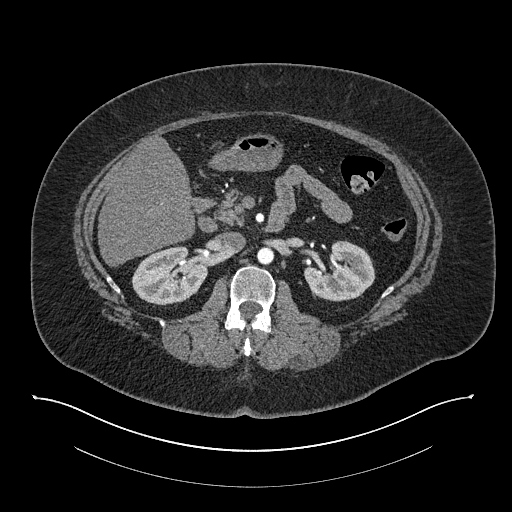
Arterial-phase contrast-enhanced abdominal CT, axial slice 477 of 673 (counted from the lowest slice); tube voltage 140 kVp, convolution kernel I30f; slices 1.00 mm thick, 0.957 mm per pixel.
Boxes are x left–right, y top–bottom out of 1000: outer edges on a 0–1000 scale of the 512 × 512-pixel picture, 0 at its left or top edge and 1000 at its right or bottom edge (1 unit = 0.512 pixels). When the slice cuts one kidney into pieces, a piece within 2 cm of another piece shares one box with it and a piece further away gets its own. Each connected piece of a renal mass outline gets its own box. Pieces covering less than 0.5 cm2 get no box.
Two kidney boxes on this slice; by box centre, from the image's left to its right: (1) Right kidney at x 256–408, y 480–598 out of 1000 (outlined area 3,336 px, about 30.6 cm2). (2) Box x 594–734, y 469–590 out of 1000: left kidney (outlined area 3,085 px, about 28.3 cm2). This slice carries no renal mass outline.